One axial slice (109 of 233, counting up from the lowest) of an arterial-phase abdominal CT acquired with 120 kVp, kernel STANDARD; each pixel is 0.703 mm and the slice is 1.25 mm thick.
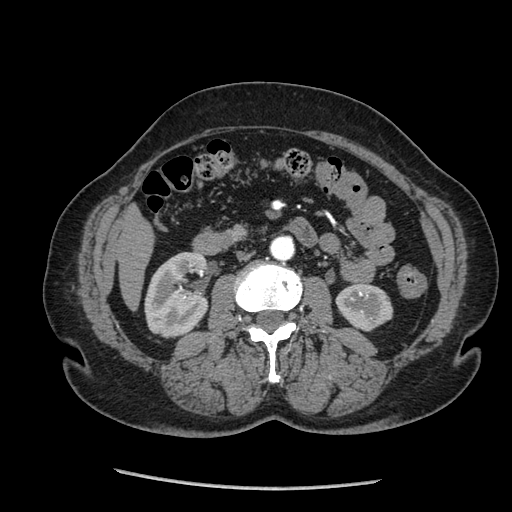
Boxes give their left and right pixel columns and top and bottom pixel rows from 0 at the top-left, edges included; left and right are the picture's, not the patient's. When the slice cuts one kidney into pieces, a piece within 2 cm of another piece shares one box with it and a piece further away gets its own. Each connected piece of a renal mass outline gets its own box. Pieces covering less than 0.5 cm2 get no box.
Two boxes on this slice (two kidney boxes), listed by box centre from the image's left to its right. (1) Box with left 144, top 252, right 209, bottom 338: right kidney (outlined area 4,419 px, about 21.8 cm2). (2) Left kidney, the box with left 335, top 284, right 393, bottom 331 (outlined area 2,069 px, about 10.2 cm2). No renal mass outline on this slice.